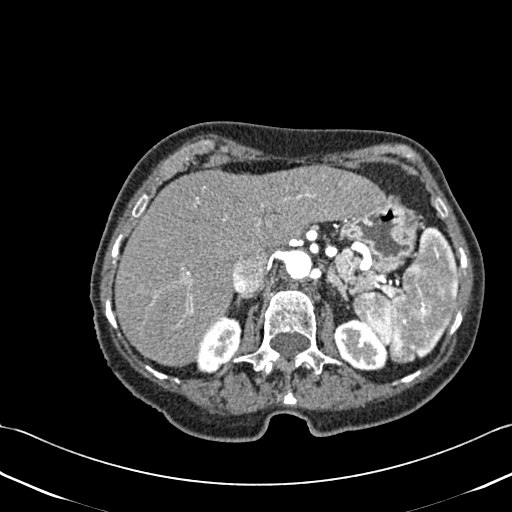
One axial slice (324 of 433, counting up from the lowest) of a contrast-enhanced abdominal CT acquired with 120 kVp, kernel B30f; each pixel is 0.672 mm and the slice is 1.00 mm thick.
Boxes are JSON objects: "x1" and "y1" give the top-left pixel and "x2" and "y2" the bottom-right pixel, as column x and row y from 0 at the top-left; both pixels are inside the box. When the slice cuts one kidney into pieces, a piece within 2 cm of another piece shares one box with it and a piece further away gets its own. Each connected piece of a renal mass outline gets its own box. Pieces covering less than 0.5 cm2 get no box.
Boxed on this slice (two kidney boxes), listed by box centre from the image's left to its right: (1) Right kidney, box {"x1": 197, "y1": 315, "x2": 241, "y2": 373} (outlined area 1,784 px, about 8.1 cm2). (2) Left kidney, box {"x1": 333, "y1": 318, "x2": 389, "y2": 370} (outlined area 2,053 px, about 9.3 cm2). No renal mass outline on this slice.